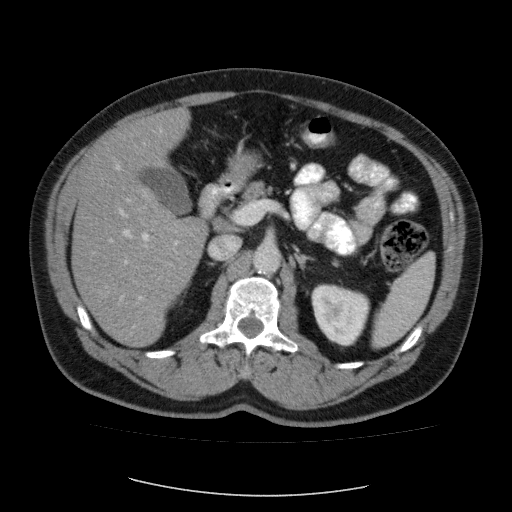
Abdominal CT with intravenous contrast, axial plane, 120 kVp, kernel FC12. Slice 61/87 from the bottom of the scan; thickness 5.00 mm; pixel size 0.812 mm.
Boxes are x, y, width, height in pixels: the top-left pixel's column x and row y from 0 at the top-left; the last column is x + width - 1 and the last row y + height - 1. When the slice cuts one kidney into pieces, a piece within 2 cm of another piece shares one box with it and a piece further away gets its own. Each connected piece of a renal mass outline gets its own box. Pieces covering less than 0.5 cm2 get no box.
Left kidney at x 311, y 284, width 59, height 63 (outlined area 2,795 px, about 18.4 cm2). No renal mass is outlined on this slice.